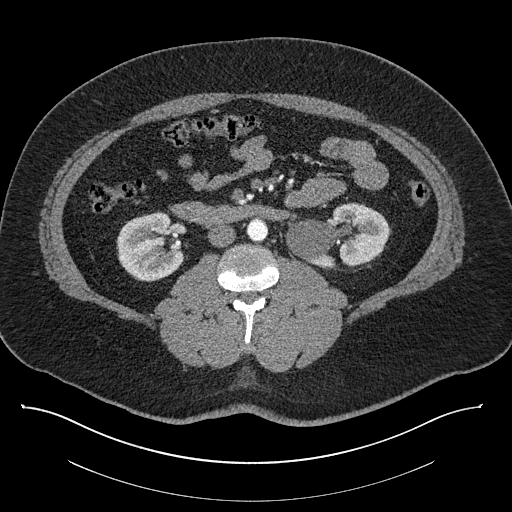
Axial slice 442 of 787 of a contrast-enhanced abdominal CT (slice 1 is the lowest), 140 kVp, kernel I30f; 1.00 mm slice thickness and 0.910 mm pixels.
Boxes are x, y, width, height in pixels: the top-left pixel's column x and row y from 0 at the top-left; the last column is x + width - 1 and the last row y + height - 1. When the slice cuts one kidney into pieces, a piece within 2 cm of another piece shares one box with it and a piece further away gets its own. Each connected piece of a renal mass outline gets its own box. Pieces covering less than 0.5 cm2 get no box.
Two boxes on this slice (two kidney boxes), listed by box centre from the image's left to its right. (1) Right kidney, box x 116, y 211, width 69, height 71 (outlined area 3,619 px, about 30.0 cm2). (2) Left kidney, box x 285, y 202, width 105, height 66 (outlined area 4,638 px, about 38.4 cm2). No renal mass outline on this slice.